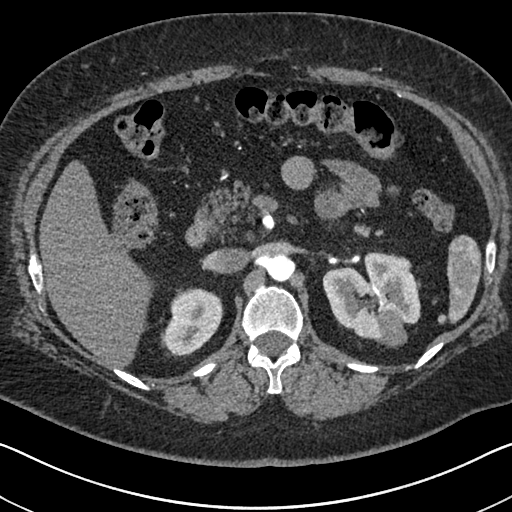
Axial slice 449 of 591 of a contrast-enhanced abdominal CT in the arterial phase (slice 1 is the lowest), 140 kVp, kernel I30f; 1.00 mm slice thickness and 0.703 mm pixels.
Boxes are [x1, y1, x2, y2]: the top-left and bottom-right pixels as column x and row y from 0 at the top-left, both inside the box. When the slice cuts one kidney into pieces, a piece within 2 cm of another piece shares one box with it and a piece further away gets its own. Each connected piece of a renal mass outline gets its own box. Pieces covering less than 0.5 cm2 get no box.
Three boxes on this slice (two kidney boxes and one renal mass box), listed by box centre from the image's left to its right. (1) Right kidney, box [160, 287, 223, 357] (outlined area 3,110 px, about 15.4 cm2). (2) Left kidney at [322, 251, 420, 342] (outlined area 5,862 px, about 29.0 cm2). (3) Box [377, 309, 407, 347]: left renal mass (outlined area 883 px, about 4.4 cm2).